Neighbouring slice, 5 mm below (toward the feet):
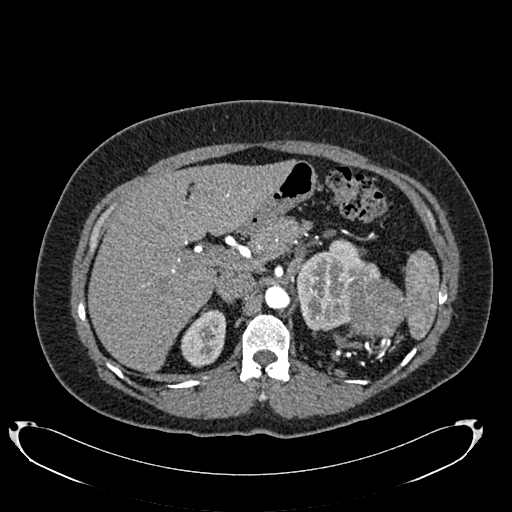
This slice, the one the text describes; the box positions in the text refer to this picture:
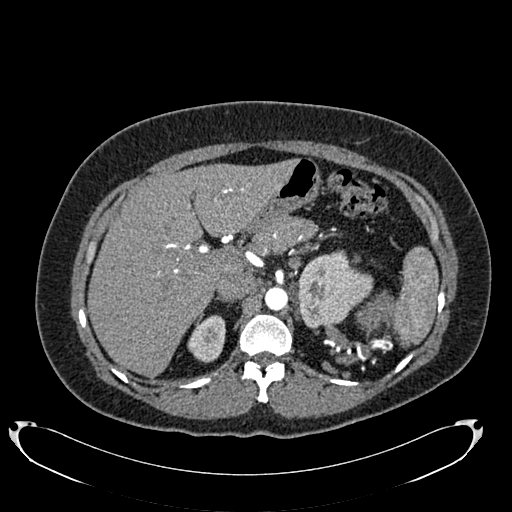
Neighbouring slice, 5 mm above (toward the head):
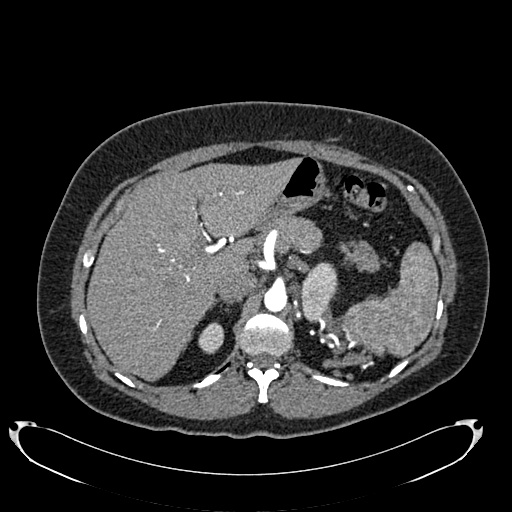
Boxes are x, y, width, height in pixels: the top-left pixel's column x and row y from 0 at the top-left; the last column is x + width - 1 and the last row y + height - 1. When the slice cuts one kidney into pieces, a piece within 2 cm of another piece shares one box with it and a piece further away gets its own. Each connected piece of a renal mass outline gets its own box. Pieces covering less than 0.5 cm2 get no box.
Arterial-phase contrast-enhanced abdominal CT, axial slice 524 of 634 (counted from the lowest slice); 1.00 mm thick, 0.838 mm per pixel. Three boxes on this slice (two kidney boxes and one renal mass box), listed by box centre from the image's left to its right. (1) Box x 187, y 315, width 39, height 48: right kidney (outlined area 1,364 px, about 9.6 cm2). (2) Left kidney at x 298, y 250, width 76, height 78 (outlined area 4,080 px, about 28.6 cm2). (3) Left renal mass at x 358, y 291, width 34, height 42 (outlined area 837 px, about 5.9 cm2). This slice is near the end of the left renal mass toward the head, so the slices 5 mm below and 5 mm above it are shown as well; the boxes refer to this slice only.
Acquired at 120 kVp and reconstructed with the B20f kernel.